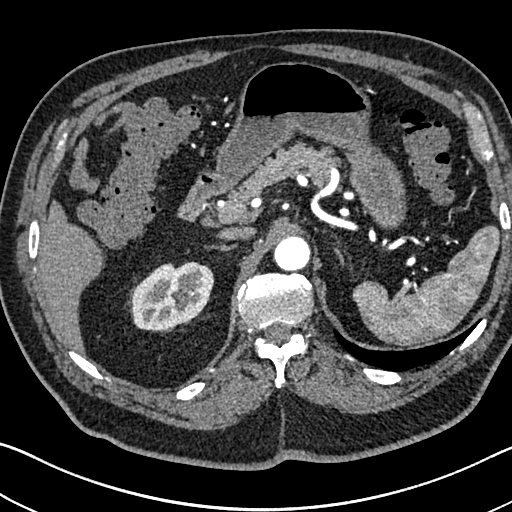
One axial slice (522 of 705, counting up from the lowest) of an arterial-phase abdominal CT acquired with 120 kVp, kernel I30f; each pixel is 0.703 mm and the slice is 1.00 mm thick.
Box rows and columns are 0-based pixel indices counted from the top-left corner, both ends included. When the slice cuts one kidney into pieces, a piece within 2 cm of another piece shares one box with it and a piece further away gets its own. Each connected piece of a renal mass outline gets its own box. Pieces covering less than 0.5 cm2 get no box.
Right kidney at rows 261–330, columns 132–213 (outlined area 4,348 px, about 21.5 cm2). No renal mass outline on this slice.